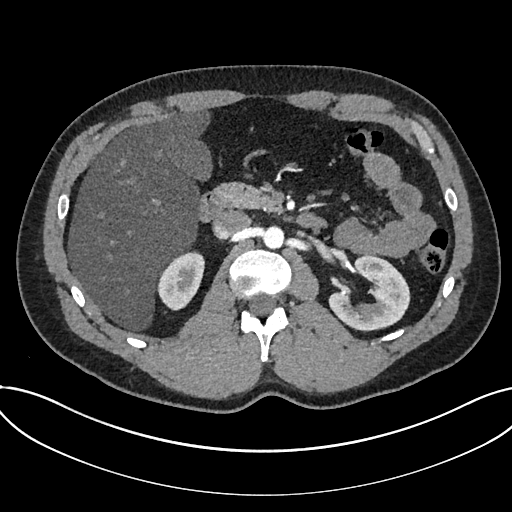
One axial slice (451 of 735, counting up from the lowest) of an arterial-phase abdominal CT acquired with 120 kVp, kernel I30f; each pixel is 0.789 mm and the slice is 1.00 mm thick.
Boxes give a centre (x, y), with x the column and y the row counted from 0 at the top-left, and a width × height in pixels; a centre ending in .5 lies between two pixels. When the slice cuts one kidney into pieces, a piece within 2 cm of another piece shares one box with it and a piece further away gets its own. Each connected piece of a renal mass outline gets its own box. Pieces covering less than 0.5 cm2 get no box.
Two boxes on this slice (two kidney boxes), listed by box centre from the image's left to its right. (1) Box centre (180, 280.5), 47 × 60 pixels: kidney (outlined area 1,993 px, about 12.4 cm2). (2) Kidney in a box with centre (368.5, 293), 82 × 77 pixels (outlined area 4,017 px, about 25.0 cm2). No renal mass is outlined on this slice.